Abdominal CT with intravenous contrast, arterial phase, axial plane, 120 kVp, kernel I30f. Slice 415/602 from the bottom of the scan; thickness 1.00 mm; pixel size 0.799 mm.
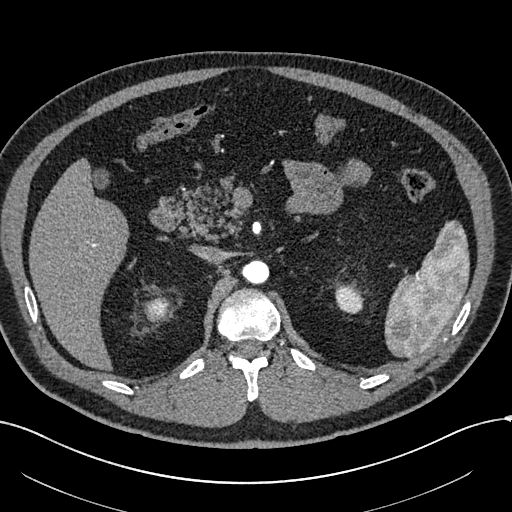
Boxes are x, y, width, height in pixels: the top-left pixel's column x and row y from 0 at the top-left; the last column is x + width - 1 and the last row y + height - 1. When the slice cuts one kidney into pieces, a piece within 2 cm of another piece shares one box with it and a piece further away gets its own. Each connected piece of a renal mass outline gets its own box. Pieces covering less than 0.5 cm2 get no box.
Two boxes on this slice (two kidney boxes), listed by box centre from the image's left to its right. (1) Right kidney, box x 143, y 296, width 27, height 27 (outlined area 538 px, about 3.4 cm2). (2) Left kidney at x 335, y 284, width 29, height 31 (outlined area 649 px, about 4.1 cm2). No renal mass is outlined on this slice.